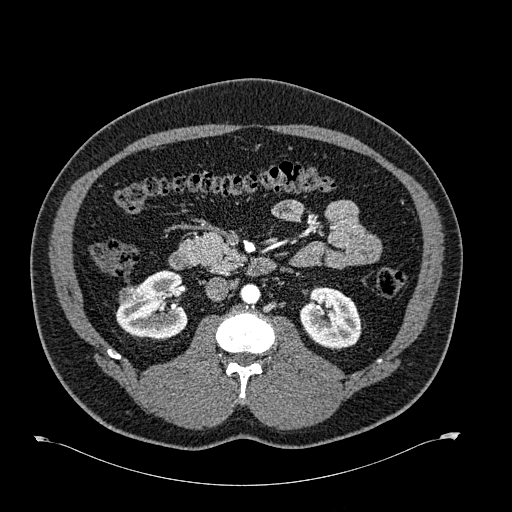
Arterial-phase contrast-enhanced abdominal CT, axial slice 349 of 723 (counted from the lowest slice); tube voltage 120 kVp, convolution kernel B30f; slices 1.00 mm thick, 0.895 mm per pixel.
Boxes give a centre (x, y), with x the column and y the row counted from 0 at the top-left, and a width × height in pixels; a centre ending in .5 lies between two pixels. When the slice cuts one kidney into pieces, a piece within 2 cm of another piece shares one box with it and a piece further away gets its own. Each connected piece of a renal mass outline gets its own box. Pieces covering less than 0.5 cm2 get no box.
Two kidney boxes and one renal mass box on this slice; by box centre, from the image's left to its right: (1) Box centre (128, 294), 21 × 21 pixels: right renal mass (outlined area 319 px, about 2.6 cm2). (2) Right kidney in a box with centre (151.5, 305), 74 × 71 pixels (outlined area 3,524 px, about 28.2 cm2). (3) Left kidney in a box with centre (330.5, 317.5), 62 × 62 pixels (outlined area 2,938 px, about 23.5 cm2).